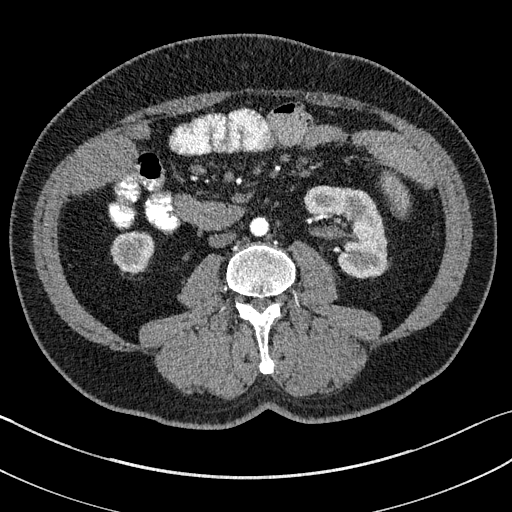
Axial slice 60 of 195 of a contrast-enhanced abdominal CT in the arterial phase (slice 1 is the lowest), 100 kVp, kernel I31f; 1.50 mm slice thickness and 0.707 mm pixels.
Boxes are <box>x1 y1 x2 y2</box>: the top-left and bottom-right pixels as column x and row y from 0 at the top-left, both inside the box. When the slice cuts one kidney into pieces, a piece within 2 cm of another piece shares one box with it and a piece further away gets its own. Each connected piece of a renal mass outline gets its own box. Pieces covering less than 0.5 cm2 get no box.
Boxed on this slice (two kidney boxes), listed by box centre from the image's left to its right: (1) Right kidney: <box>111 231 153 273</box> (outlined area 1,433 px, about 7.2 cm2). (2) At <box>304 185 388 278</box>: left kidney (outlined area 4,921 px, about 24.6 cm2). This slice carries no renal mass outline.